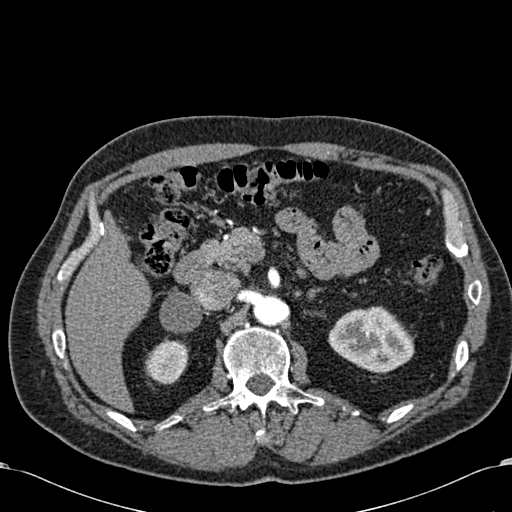
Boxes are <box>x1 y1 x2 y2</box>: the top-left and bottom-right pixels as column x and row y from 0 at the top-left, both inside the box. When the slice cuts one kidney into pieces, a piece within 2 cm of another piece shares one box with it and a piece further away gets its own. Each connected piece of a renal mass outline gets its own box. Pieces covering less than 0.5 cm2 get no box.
This is axial slice 408 of 581 (slice 1 is the lowest) of an arterial-phase abdominal CT with contrast; each pixel is 0.713 mm and the slice is 1.00 mm thick. Two kidney boxes on this slice; by box centre, from the image's left to its right: (1) Right kidney at <box>145 340 189 384</box> (outlined area 1,506 px, about 7.7 cm2). (2) At <box>328 306 414 373</box>: left kidney (outlined area 4,188 px, about 21.3 cm2). No renal mass is outlined on this slice.
Tube voltage 120 kVp; convolution kernel B30f.